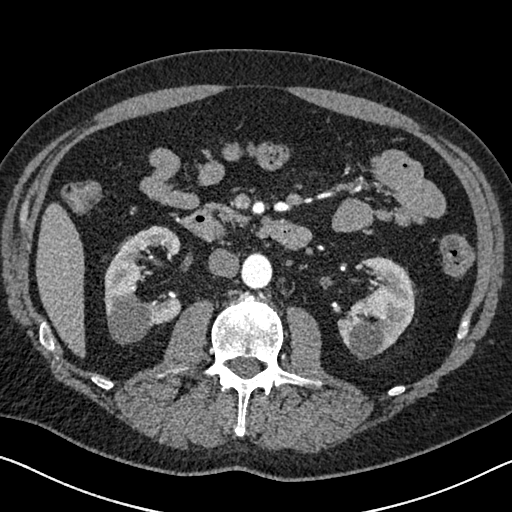
Abdominal CT with intravenous contrast, arterial phase, axial plane, 120 kVp, kernel I30f. Slice 368/626 from the bottom of the scan; thickness 1.00 mm; pixel size 0.703 mm.
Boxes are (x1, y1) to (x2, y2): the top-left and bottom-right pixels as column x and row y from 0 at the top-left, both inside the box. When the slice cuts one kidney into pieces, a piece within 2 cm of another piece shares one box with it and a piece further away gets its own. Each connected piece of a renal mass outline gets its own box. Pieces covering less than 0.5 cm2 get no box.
Two boxes on this slice (two kidney boxes), listed by box centre from the image's left to its right. (1) Right kidney, box (104, 225) to (181, 345) (outlined area 5,621 px, about 27.8 cm2). (2) Left kidney from (337, 256) to (415, 359) (outlined area 5,088 px, about 25.2 cm2). This slice carries no renal mass outline.